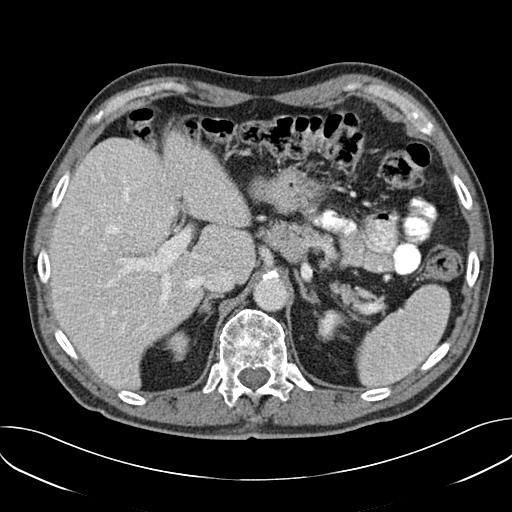
Abdominal CT with intravenous contrast, arterial phase, axial plane, 120 kVp, kernel B30f. Slice 122/157 from the bottom of the scan; thickness 3.00 mm; pixel size 0.742 mm.
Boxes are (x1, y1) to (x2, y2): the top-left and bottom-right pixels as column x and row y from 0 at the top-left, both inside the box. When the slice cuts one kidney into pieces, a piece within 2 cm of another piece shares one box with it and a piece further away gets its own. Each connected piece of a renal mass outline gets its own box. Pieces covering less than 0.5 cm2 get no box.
Boxed on this slice (two kidney boxes), listed by box centre from the image's left to its right: (1) Right kidney, box (168, 331) to (189, 361) (outlined area 493 px, about 2.7 cm2). (2) Left kidney, box (318, 309) to (343, 339) (outlined area 559 px, about 3.1 cm2). This slice carries no renal mass outline.